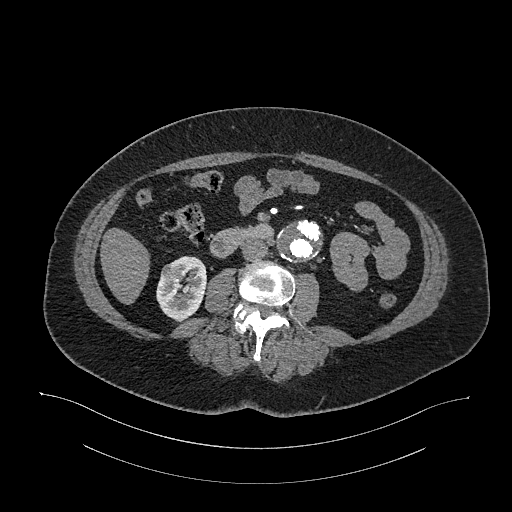
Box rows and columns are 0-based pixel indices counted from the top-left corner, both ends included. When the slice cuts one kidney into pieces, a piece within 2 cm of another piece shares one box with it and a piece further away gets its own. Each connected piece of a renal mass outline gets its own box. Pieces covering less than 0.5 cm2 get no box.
This is axial slice 570 of 987 (slice 1 is the lowest) of an arterial-phase abdominal CT with contrast; each pixel is 0.977 mm and the slice is 1.00 mm thick. One kidney box and one renal mass box on this slice; by box centre, from the image's left to its right: (1) Right renal mass, box rows 262–279, columns 160–182 (outlined area 259 px, about 2.5 cm2). (2) Box rows 256–322, columns 156–206: right kidney (outlined area 2,304 px, about 22.0 cm2).
Tube voltage 120 kVp; convolution kernel I26f.